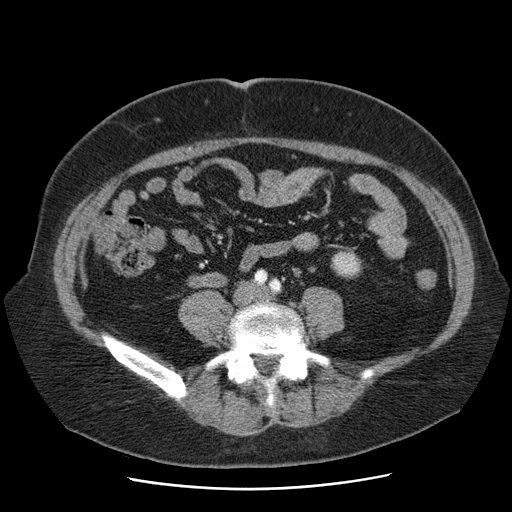
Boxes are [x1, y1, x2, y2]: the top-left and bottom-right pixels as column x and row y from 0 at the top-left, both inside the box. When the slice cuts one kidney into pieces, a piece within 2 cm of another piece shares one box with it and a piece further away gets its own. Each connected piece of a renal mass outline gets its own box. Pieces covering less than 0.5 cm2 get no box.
Slice 8/103 of a contrast-enhanced abdominal CT, counting up from the lowest; pixel size 0.736 mm, slice thickness 2.50 mm. Left kidney, box [330, 251, 362, 279] (outlined area 731 px, about 4.0 cm2). This slice carries no renal mass outline.
Tube voltage 120 kVp; convolution kernel STANDARD.